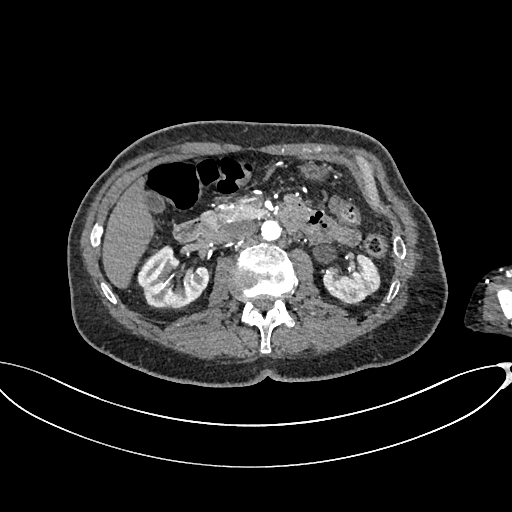
Axial slice 396 of 665 of a contrast-enhanced abdominal CT in the arterial phase (slice 1 is the lowest), 100 kVp, kernel I26f; 1.00 mm slice thickness and 0.828 mm pixels.
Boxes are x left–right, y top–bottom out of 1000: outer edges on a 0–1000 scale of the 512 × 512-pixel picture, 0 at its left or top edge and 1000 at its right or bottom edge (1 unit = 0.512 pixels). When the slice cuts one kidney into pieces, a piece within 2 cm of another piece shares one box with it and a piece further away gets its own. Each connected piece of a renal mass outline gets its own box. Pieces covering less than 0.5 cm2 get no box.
Two kidney boxes on this slice; by box centre, from the image's left to its right: (1) Box x 268–410, y 477–604 out of 1000: right kidney (outlined area 3,127 px, about 21.4 cm2). (2) Left kidney at x 631–744, y 492–596 out of 1000 (outlined area 2,058 px, about 14.1 cm2). No renal mass is outlined on this slice.